Abdominal CT with intravenous contrast, axial plane, 120 kVp, kernel B41f. Slice 59/104 from the bottom of the scan; thickness 5.00 mm; pixel size 0.977 mm.
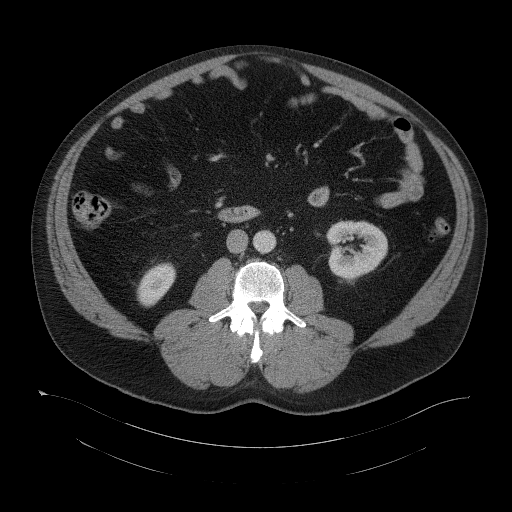
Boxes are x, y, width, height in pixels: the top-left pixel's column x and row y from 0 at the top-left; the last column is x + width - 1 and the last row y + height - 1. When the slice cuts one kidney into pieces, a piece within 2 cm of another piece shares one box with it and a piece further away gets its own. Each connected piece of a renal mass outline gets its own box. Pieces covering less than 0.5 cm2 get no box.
Two kidney boxes on this slice; by box centre, from the image's left to its right: (1) Right kidney at x 136, y 262, width 40, height 46 (outlined area 1,193 px, about 11.4 cm2). (2) Box x 325, y 220, width 63, height 59: left kidney (outlined area 2,815 px, about 26.8 cm2). This slice carries no renal mass outline.